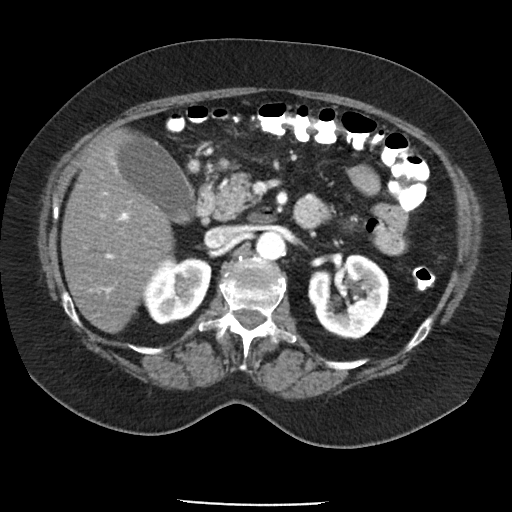
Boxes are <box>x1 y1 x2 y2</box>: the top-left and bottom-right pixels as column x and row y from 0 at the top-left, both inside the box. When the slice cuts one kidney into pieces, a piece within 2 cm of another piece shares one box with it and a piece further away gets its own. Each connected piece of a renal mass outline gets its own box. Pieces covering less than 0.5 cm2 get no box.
This is axial slice 60 of 85 (slice 1 is the lowest) of an arterial-phase abdominal CT with contrast; each pixel is 0.741 mm and the slice is 5.00 mm thick. Two boxes on this slice (two kidney boxes), listed by box centre from the image's left to its right. (1) Right kidney: <box>141 257 211 324</box> (outlined area 3,536 px, about 19.4 cm2). (2) Left kidney: <box>308 253 389 339</box> (outlined area 5,150 px, about 28.3 cm2). No renal mass is outlined on this slice.
Acquired at 120 kVp and reconstructed with the FC19 kernel.